Abdominal CT with intravenous contrast, arterial phase, axial plane, 120 kVp, kernel STANDARD. Slice 240/445 from the bottom of the scan; thickness 1.25 mm; pixel size 0.863 mm.
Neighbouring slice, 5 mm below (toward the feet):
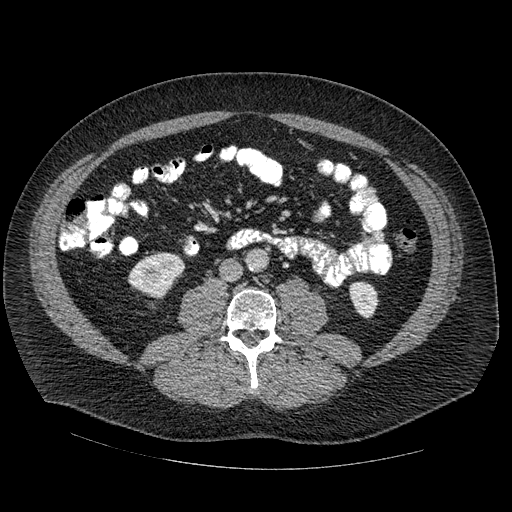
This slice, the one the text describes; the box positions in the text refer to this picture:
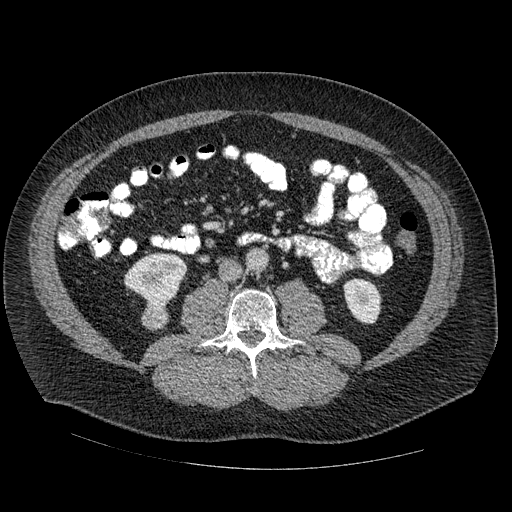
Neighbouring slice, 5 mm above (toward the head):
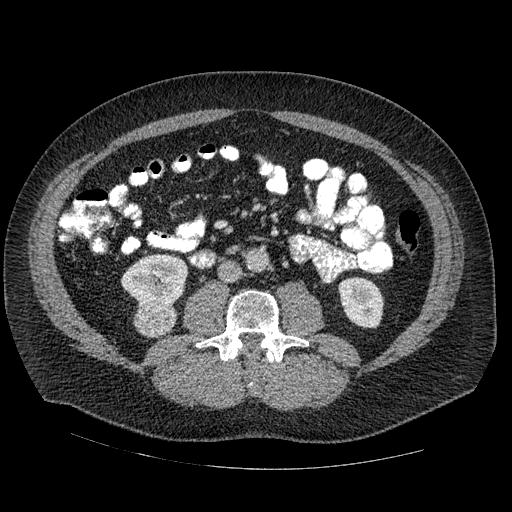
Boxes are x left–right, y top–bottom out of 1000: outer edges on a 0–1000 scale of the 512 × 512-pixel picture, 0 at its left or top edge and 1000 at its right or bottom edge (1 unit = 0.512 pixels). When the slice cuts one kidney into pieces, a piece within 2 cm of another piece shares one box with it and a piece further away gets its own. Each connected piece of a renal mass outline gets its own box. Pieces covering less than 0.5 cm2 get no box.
Boxed on this slice (two kidney boxes and one renal mass box), listed by box centre from the image's left to its right: (1) Right kidney at x 242–367, y 492–602 out of 1000 (outlined area 2,456 px, about 18.3 cm2). (2) Box x 277–332, y 596–648 out of 1000: right renal mass (outlined area 594 px, about 4.4 cm2). (3) Left kidney, box x 670–746, y 543–635 out of 1000 (outlined area 1,354 px, about 10.1 cm2). This slice lies near the end of the right renal mass toward the feet; the slices 5 mm below and 5 mm above it are shown too, and the boxes mark positions on this slice only.